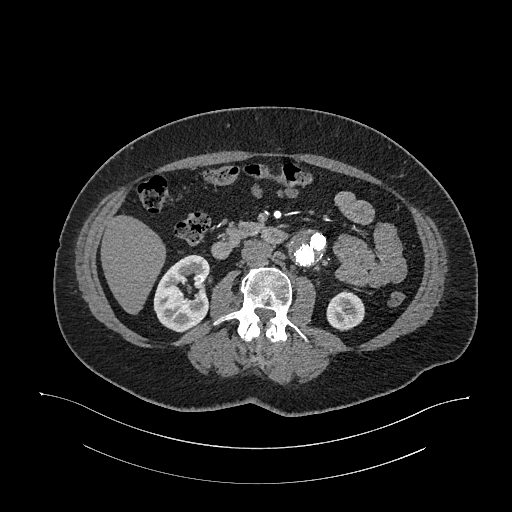
Arterial-phase contrast-enhanced abdominal CT, axial slice 601 of 987 (counted from the lowest slice); tube voltage 120 kVp, convolution kernel I26f; slices 1.00 mm thick, 0.977 mm per pixel.
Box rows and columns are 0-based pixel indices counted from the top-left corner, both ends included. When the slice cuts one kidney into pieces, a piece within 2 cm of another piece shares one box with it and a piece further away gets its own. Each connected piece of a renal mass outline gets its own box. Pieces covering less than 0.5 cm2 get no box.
Boxed on this slice (two kidney boxes), listed by box centre from the image's left to its right: (1) Right kidney at rows 254–332, columns 153–210 (outlined area 3,261 px, about 31.1 cm2). (2) Left kidney at rows 290–330, columns 326–364 (outlined area 1,201 px, about 11.5 cm2). No renal mass outline on this slice.